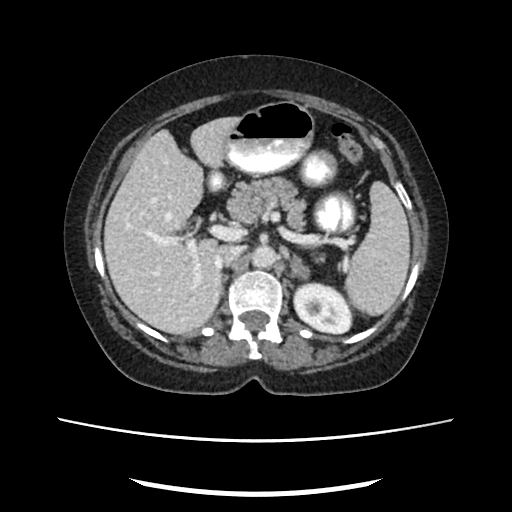
Abdominal CT with intravenous contrast, arterial phase, axial plane, 120 kVp, kernel FC18. Slice 156/207 from the bottom of the scan; thickness 2.00 mm; pixel size 0.741 mm.
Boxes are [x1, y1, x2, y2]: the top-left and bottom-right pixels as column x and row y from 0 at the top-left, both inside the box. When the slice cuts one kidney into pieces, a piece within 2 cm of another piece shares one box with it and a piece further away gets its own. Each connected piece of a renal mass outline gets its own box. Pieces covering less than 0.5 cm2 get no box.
Left kidney, box [293, 281, 354, 334] (outlined area 2,432 px, about 13.4 cm2). This slice carries no renal mass outline.